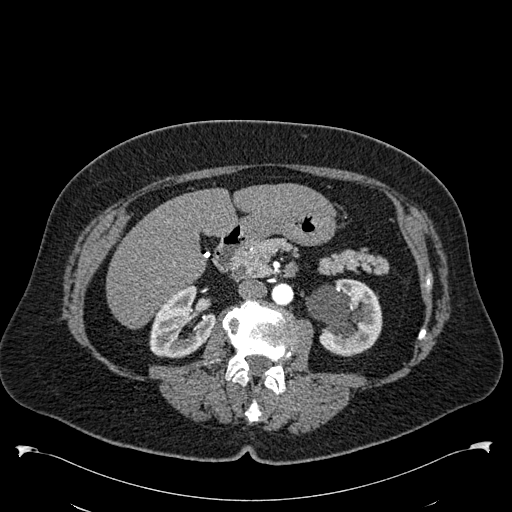
Axial slice 316 of 538 of a contrast-enhanced abdominal CT in the arterial phase (slice 1 is the lowest), 120 kVp, kernel B30f; 1.00 mm slice thickness and 0.811 mm pixels.
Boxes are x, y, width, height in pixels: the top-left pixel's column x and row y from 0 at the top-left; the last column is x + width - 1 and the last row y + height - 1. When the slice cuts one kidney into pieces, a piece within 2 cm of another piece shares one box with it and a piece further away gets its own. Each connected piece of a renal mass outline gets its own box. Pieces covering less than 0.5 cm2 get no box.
Two kidney boxes on this slice; by box centre, from the image's left to its right: (1) Box x 149, y 286, width 67, height 73: right kidney (outlined area 3,255 px, about 21.4 cm2). (2) Box x 305, y 278, width 78, height 78: left kidney (outlined area 4,364 px, about 28.7 cm2). No renal mass is outlined on this slice.